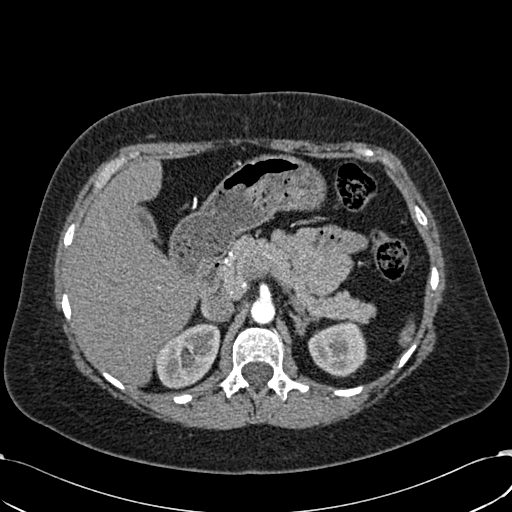
One axial slice (429 of 532, counting up from the lowest) of an arterial-phase abdominal CT acquired with 120 kVp, kernel B30f; each pixel is 0.713 mm and the slice is 1.00 mm thick.
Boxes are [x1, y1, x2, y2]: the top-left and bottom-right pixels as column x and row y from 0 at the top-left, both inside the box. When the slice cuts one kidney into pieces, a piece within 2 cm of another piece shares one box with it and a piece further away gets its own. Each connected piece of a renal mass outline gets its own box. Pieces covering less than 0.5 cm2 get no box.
Two boxes on this slice (two kidney boxes), listed by box centre from the image's left to its right. (1) Right kidney, box [154, 323, 220, 388] (outlined area 3,137 px, about 15.9 cm2). (2) Box [308, 322, 367, 376]: left kidney (outlined area 2,480 px, about 12.6 cm2). This slice carries no renal mass outline.